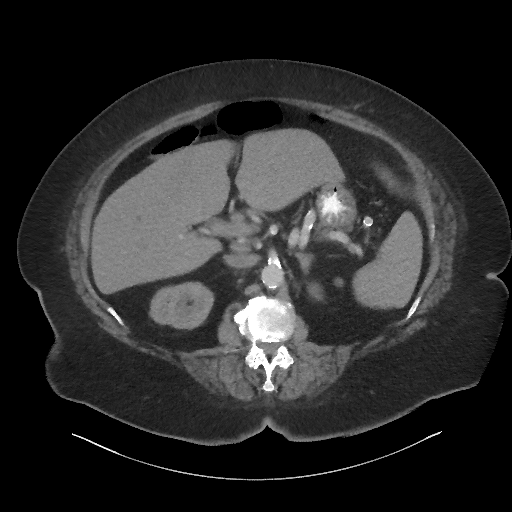
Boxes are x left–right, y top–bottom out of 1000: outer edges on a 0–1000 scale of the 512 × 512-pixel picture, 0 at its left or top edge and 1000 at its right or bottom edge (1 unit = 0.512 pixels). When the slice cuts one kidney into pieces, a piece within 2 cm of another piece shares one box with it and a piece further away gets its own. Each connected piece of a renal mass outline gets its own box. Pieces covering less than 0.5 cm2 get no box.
Slice 46/86 of a contrast-enhanced abdominal CT, counting up from the lowest; pixel size 0.977 mm, slice thickness 3.00 mm. Box x 291–420, y 551–645 out of 1000: right kidney (outlined area 2,406 px, about 22.9 cm2). No renal mass is outlined on this slice.
Scan settings: 140 kVp, I44f reconstruction kernel.